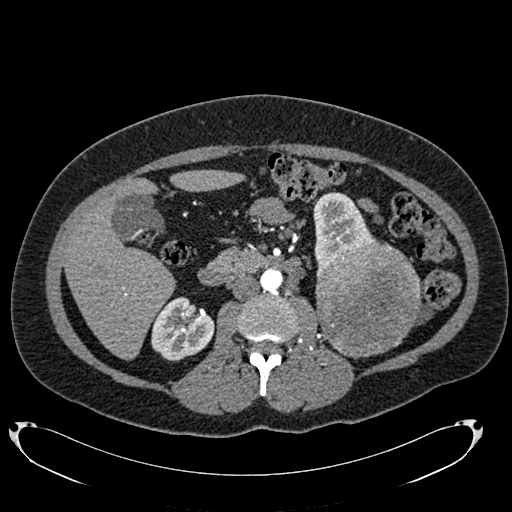
Axial slice 406 of 634 of a contrast-enhanced abdominal CT in the arterial phase (slice 1 is the lowest), 120 kVp, kernel B20f; 1.00 mm slice thickness and 0.838 mm pixels.
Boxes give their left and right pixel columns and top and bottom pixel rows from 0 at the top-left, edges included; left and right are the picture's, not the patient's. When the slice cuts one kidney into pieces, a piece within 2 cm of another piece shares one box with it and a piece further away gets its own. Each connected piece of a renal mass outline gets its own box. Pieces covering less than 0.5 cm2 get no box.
Two kidney boxes and one renal mass box on this slice; by box centre, from the image's left to its right: (1) Right kidney, the box with left 151, top 297, right 214, bottom 361 (outlined area 2,980 px, about 20.9 cm2). (2) Box with left 313, top 192, right 376, bottom 268: left kidney (outlined area 2,874 px, about 20.2 cm2). (3) Box with left 315, top 240, right 420, bottom 358: left renal mass (outlined area 9,810 px, about 68.9 cm2).